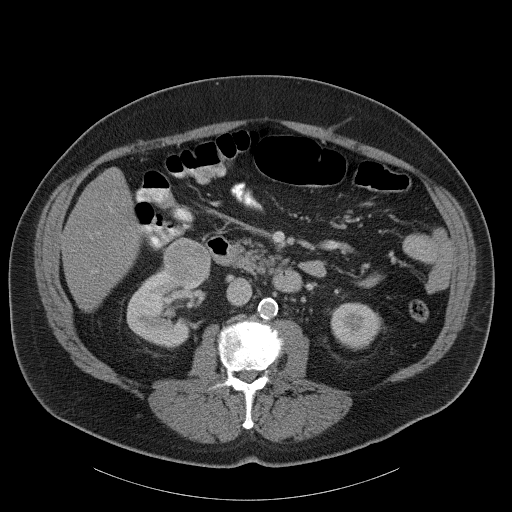
Axial slice 61 of 107 of a contrast-enhanced abdominal CT (slice 1 is the lowest), 120 kVp, kernel B31f; 5.00 mm slice thickness and 0.941 mm pixels.
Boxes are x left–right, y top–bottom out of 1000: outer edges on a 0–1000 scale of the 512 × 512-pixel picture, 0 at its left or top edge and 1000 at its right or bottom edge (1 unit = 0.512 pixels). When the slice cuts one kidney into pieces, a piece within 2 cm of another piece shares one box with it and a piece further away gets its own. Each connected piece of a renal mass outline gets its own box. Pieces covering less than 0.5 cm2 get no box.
Boxed on this slice (two kidney boxes and one renal mass box), listed by box centre from the image's left to its right: (1) Right kidney at x 246–383, y 516–682 out of 1000 (outlined area 3,634 px, about 32.2 cm2). (2) Box x 316–414, y 463–566 out of 1000: right renal mass (outlined area 2,025 px, about 17.9 cm2). (3) Left kidney at x 645–746, y 590–686 out of 1000 (outlined area 1,877 px, about 16.6 cm2).